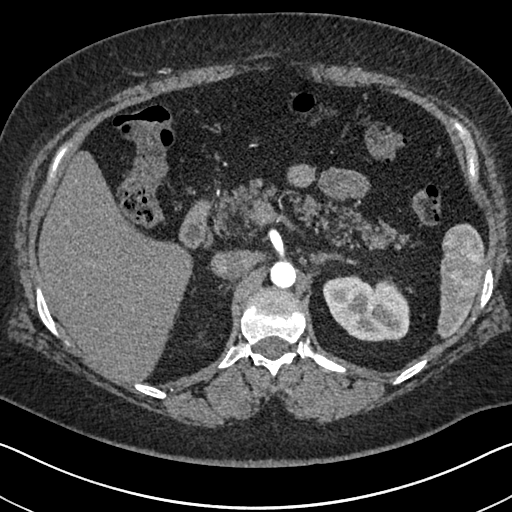
Abdominal CT with intravenous contrast, arterial phase, axial plane, 140 kVp, kernel I30f. Slice 472/591 from the bottom of the scan; thickness 1.00 mm; pixel size 0.703 mm.
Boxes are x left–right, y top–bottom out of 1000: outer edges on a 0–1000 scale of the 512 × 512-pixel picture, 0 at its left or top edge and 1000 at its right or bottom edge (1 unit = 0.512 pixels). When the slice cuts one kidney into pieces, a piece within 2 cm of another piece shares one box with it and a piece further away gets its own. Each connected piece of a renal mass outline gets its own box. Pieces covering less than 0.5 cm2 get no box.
Box x 629–801, y 537–668 out of 1000: left kidney (outlined area 4,493 px, about 22.2 cm2). This slice carries no renal mass outline.